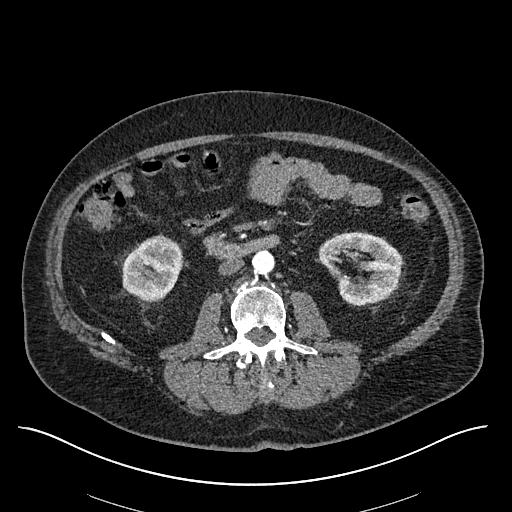
Axial slice 280 of 670 of a contrast-enhanced abdominal CT in the arterial phase (slice 1 is the lowest), 120 kVp, kernel I30f; 1.00 mm slice thickness and 0.861 mm pixels.
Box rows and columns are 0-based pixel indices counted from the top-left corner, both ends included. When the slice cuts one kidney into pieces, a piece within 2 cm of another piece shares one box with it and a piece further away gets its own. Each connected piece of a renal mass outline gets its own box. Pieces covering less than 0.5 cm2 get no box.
Two kidney boxes on this slice; by box centre, from the image's left to its right: (1) Right kidney, box rows 234–301, columns 122–183 (outlined area 3,109 px, about 23.1 cm2). (2) Left kidney at rows 232–305, columns 318–401 (outlined area 4,266 px, about 31.6 cm2). This slice carries no renal mass outline.